Contrast-enhanced abdominal CT, axial slice 48 of 84 (counted from the lowest slice); tube voltage 140 kVp, convolution kernel STANDARD; slices 5.00 mm thick, 0.717 mm per pixel.
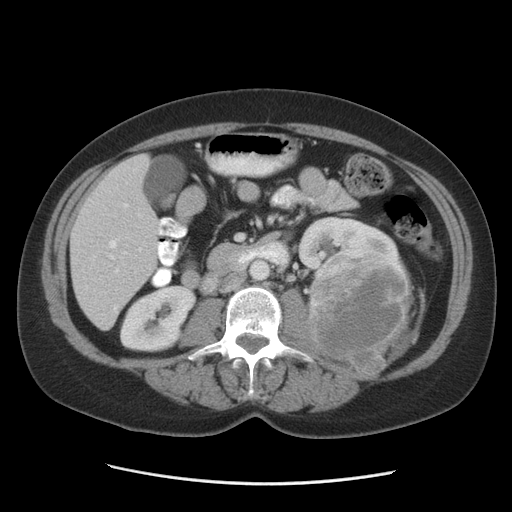
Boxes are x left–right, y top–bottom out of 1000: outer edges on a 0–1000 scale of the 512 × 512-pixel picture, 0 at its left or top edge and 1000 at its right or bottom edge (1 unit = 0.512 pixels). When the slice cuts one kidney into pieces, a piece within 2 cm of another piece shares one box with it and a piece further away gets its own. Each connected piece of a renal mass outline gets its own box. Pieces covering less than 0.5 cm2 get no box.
Three boxes on this slice (two kidney boxes and one renal mass box), listed by box centre from the image's left to its right. (1) Box x 232–385, y 557–689 out of 1000: right kidney (outlined area 3,778 px, about 19.4 cm2). (2) Left kidney at x 580–789, y 420–531 out of 1000 (outlined area 3,179 px, about 16.3 cm2). (3) Box x 602–811, y 482–734 out of 1000: left renal mass (outlined area 10,429 px, about 53.6 cm2).